Abdominal CT with intravenous contrast, arterial phase, axial plane, 120 kVp, kernel B30f. Slice 401/723 from the bottom of the scan; thickness 1.00 mm; pixel size 0.895 mm.
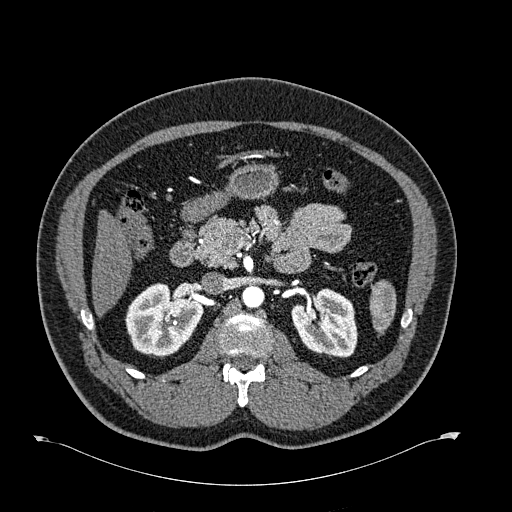
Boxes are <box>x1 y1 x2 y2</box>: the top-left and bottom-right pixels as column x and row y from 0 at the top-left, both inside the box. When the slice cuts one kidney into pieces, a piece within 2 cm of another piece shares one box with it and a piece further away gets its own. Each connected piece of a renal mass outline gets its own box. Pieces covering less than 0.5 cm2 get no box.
Two kidney boxes on this slice; by box centre, from the image's left to its right: (1) At <box>125 283 203 358</box>: right kidney (outlined area 4,192 px, about 33.5 cm2). (2) Left kidney at <box>291 288 357 357</box> (outlined area 3,490 px, about 27.9 cm2). No renal mass outline on this slice.